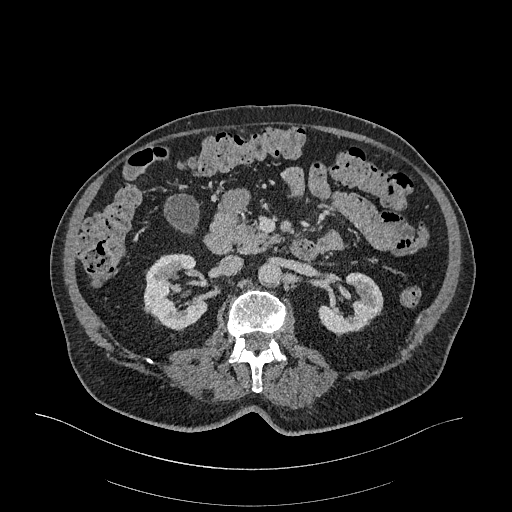
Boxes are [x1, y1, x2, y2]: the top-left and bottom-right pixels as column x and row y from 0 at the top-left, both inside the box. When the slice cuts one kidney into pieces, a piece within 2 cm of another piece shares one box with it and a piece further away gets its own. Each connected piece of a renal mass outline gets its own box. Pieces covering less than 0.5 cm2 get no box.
This is axial slice 169 of 470 (slice 1 is the lowest) of an arterial-phase abdominal CT with contrast; each pixel is 0.938 mm and the slice is 1.00 mm thick. Two boxes on this slice (two kidney boxes), listed by box centre from the image's left to its right. (1) Right kidney, box [143, 253, 206, 330] (outlined area 3,468 px, about 30.5 cm2). (2) Box [318, 272, 383, 336]: left kidney (outlined area 2,533 px, about 22.3 cm2). No renal mass is outlined on this slice.
Acquired at 120 kVp and reconstructed with the I26f kernel.